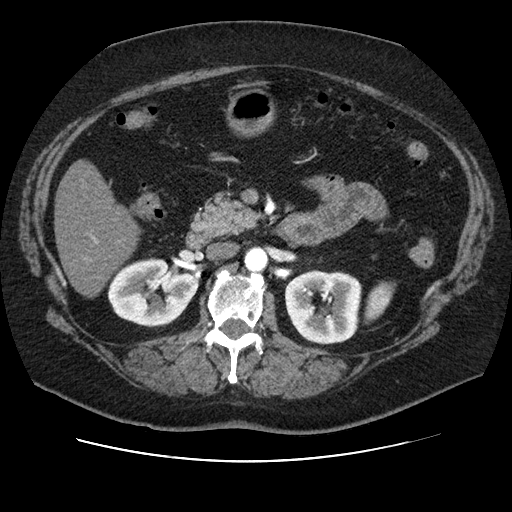
One axial slice (59 of 106, counting up from the lowest) of an arterial-phase abdominal CT acquired with 120 kVp, kernel STANDARD; each pixel is 0.742 mm and the slice is 2.50 mm thick.
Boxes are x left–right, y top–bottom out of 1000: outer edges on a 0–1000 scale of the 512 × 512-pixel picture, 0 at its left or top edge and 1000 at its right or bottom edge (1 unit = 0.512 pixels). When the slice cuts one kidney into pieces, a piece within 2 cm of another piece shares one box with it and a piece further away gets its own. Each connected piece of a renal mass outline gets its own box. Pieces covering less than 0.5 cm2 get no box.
Boxed on this slice (two kidney boxes), listed by box centre from the image's left to its right: (1) Right kidney at x 209–391, y 502–641 out of 1000 (outlined area 4,684 px, about 25.8 cm2). (2) Box x 555–707, y 527–674 out of 1000: left kidney (outlined area 4,658 px, about 25.7 cm2). This slice carries no renal mass outline.